Axial slice 37 of 105 of a contrast-enhanced abdominal CT (slice 1 is the lowest), 120 kVp, kernel B; 3.00 mm slice thickness and 0.977 mm pixels.
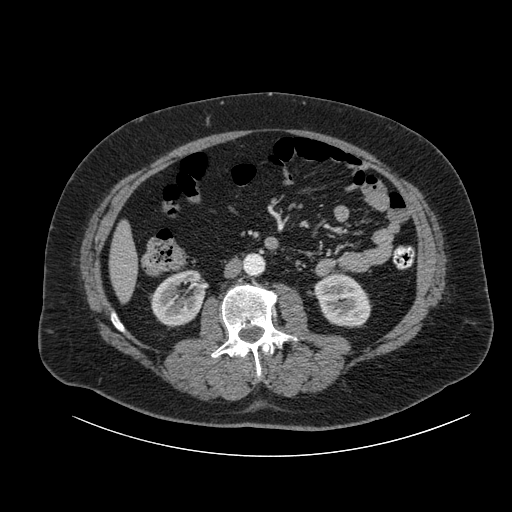
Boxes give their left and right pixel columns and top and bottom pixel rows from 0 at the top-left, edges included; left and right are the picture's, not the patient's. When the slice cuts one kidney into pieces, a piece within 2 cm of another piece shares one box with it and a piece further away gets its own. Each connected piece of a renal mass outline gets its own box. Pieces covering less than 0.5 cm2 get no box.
Two boxes on this slice (two kidney boxes), listed by box centre from the image's left to its right. (1) Right kidney, the box with left 151, top 270, right 205, bottom 326 (outlined area 2,335 px, about 22.3 cm2). (2) Box with left 314, top 274, right 371, bottom 326: left kidney (outlined area 2,307 px, about 22.0 cm2). This slice carries no renal mass outline.